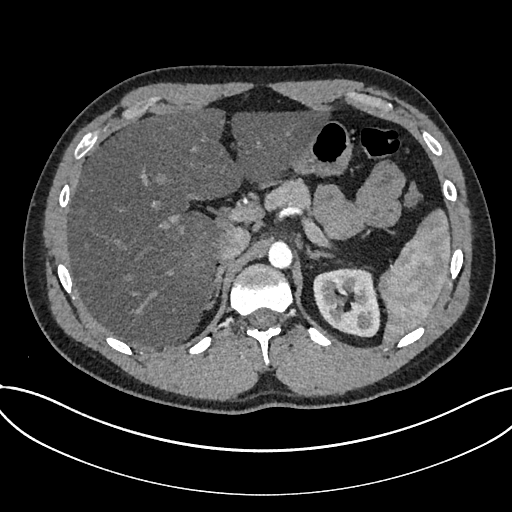
Abdominal CT with intravenous contrast, arterial phase, axial plane, 120 kVp, kernel I30f. Slice 536/735 from the bottom of the scan; thickness 1.00 mm; pixel size 0.789 mm.
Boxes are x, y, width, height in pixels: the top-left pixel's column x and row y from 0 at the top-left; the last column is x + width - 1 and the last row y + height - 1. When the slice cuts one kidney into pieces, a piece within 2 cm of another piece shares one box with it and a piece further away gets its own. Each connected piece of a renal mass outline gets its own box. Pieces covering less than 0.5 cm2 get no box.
Box x 313, y 267, width 68, height 71: kidney (outlined area 3,668 px, about 22.8 cm2). No renal mass outline on this slice.